Arterial-phase contrast-enhanced abdominal CT, axial slice 258 of 723 (counted from the lowest slice); tube voltage 120 kVp, convolution kernel B30f; slices 1.00 mm thick, 0.895 mm per pixel.
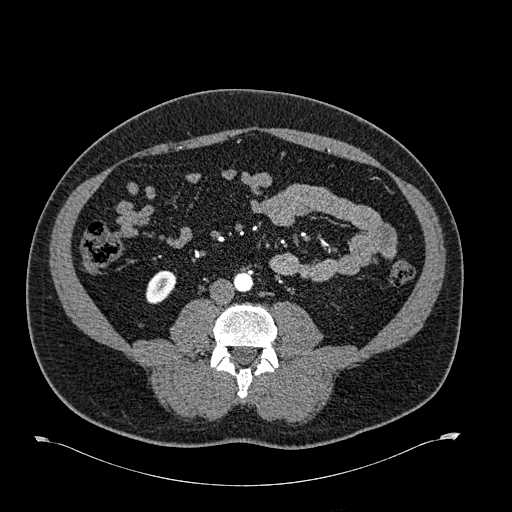
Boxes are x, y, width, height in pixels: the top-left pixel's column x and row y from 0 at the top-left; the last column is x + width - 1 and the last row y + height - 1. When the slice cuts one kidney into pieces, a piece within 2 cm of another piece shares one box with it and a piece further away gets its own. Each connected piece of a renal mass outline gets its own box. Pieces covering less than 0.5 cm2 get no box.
Right kidney, box x 145, y 270, width 32, height 34 (outlined area 766 px, about 6.1 cm2). This slice carries no renal mass outline.